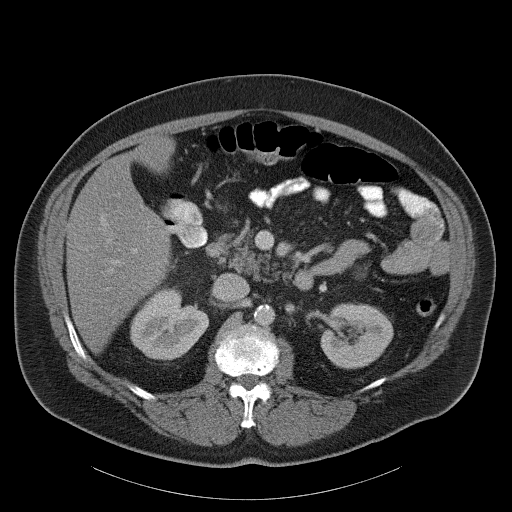
Contrast-enhanced abdominal CT, axial slice 67 of 107 (counted from the lowest slice); tube voltage 120 kVp, convolution kernel B31f; slices 5.00 mm thick, 0.941 mm per pixel.
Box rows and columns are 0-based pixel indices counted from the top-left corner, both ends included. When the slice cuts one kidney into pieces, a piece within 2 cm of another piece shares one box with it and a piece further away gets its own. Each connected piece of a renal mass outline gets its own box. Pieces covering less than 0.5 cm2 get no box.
Two kidney boxes on this slice; by box centre, from the image's left to its right: (1) Right kidney at rows 288–360, columns 130–209 (outlined area 3,964 px, about 35.1 cm2). (2) Left kidney, box rows 303–369, columns 320–393 (outlined area 3,742 px, about 33.2 cm2). No renal mass outline on this slice.